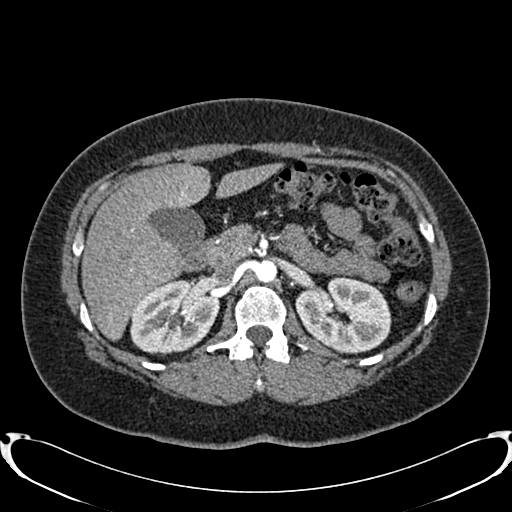
Axial slice 513 of 719 of a contrast-enhanced abdominal CT in the arterial phase (slice 1 is the lowest), 120 kVp, kernel B20f; 1.00 mm slice thickness and 0.766 mm pixels.
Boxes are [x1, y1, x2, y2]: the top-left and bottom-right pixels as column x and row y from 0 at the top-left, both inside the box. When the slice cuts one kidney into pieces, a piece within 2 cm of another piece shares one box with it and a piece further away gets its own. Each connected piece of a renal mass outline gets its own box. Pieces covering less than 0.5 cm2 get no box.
Boxed on this slice (two kidney boxes), listed by box centre from the image's left to its right: (1) Right kidney at [130, 279, 218, 354] (outlined area 4,995 px, about 29.3 cm2). (2) Left kidney, box [295, 276, 391, 353] (outlined area 5,521 px, about 32.4 cm2). No renal mass is outlined on this slice.